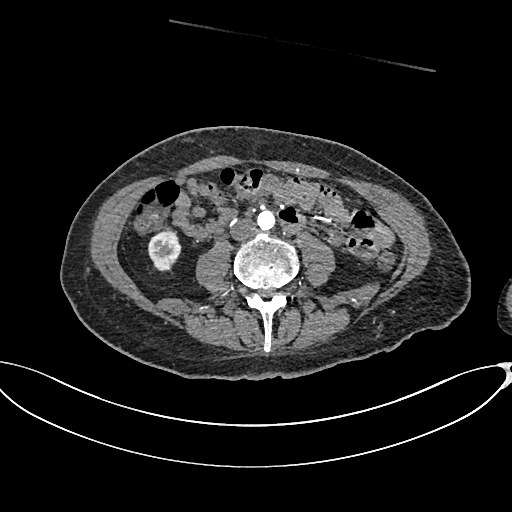
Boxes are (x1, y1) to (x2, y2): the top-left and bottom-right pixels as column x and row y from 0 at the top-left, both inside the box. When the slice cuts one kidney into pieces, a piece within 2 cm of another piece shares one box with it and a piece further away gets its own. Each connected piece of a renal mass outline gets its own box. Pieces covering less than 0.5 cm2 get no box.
Slice 284/665 of a contrast-enhanced abdominal CT in the arterial phase, counting up from the lowest; pixel size 0.828 mm, slice thickness 1.00 mm. Right kidney from (148, 230) to (181, 271) (outlined area 1,063 px, about 7.3 cm2). No renal mass is outlined on this slice.
Acquired at 100 kVp and reconstructed with the I26f kernel.